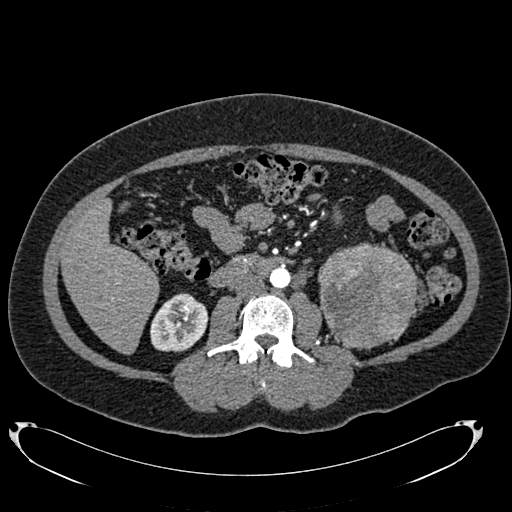
One axial slice (375 of 634, counting up from the lowest) of an arterial-phase abdominal CT acquired with 120 kVp, kernel B20f; each pixel is 0.838 mm and the slice is 1.00 mm thick.
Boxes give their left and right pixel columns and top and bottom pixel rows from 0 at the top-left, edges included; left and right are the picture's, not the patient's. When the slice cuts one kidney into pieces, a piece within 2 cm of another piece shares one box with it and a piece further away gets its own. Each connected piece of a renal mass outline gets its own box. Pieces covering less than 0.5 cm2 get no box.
Boxed on this slice (two kidney boxes and one renal mass box), listed by box centre from the image's left to its right: (1) Right kidney, the box with left 150, top 293, right 208, bottom 352 (outlined area 2,603 px, about 18.3 cm2). (2) Box with left 333, top 207, right 342, bottom 224: left kidney (outlined area 111 px, about 0.8 cm2). (3) Box with left 318, top 242, right 418, bottom 349: left renal mass (outlined area 8,448 px, about 59.3 cm2); it sits over 1 cm from every kidney outline on this slice, but the same outlined renal mass comes within 1 cm of the kidney on another slice.